Contrast-enhanced abdominal CT, axial slice 619 of 834 (counted from the lowest slice); tube voltage 140 kVp, convolution kernel I30f; slices 1.00 mm thick, 0.977 mm per pixel.
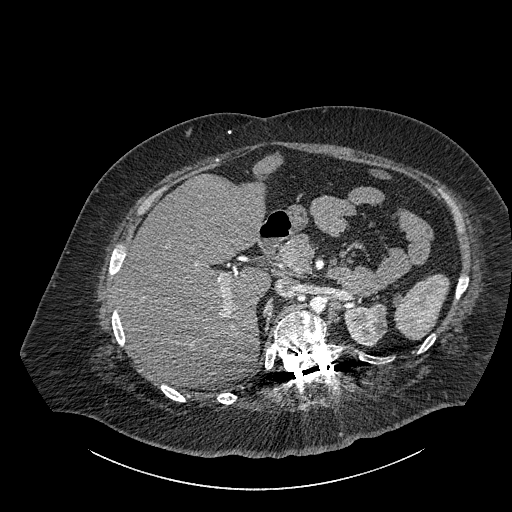
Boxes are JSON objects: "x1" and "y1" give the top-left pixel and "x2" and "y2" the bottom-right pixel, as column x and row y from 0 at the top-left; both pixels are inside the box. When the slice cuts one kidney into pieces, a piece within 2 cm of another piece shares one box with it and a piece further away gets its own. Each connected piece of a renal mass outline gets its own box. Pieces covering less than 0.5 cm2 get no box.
Left part of the midline-crossing kidney, box {"x1": 343, "y1": 302, "x2": 387, "y2": 346} (outlined area 1,486 px, about 14.2 cm2). This slice carries no renal mass outline.